Arterial-phase contrast-enhanced abdominal CT, axial slice 73 of 129 (counted from the lowest slice); tube voltage 100 kVp, convolution kernel I41f; slices 3.00 mm thick, 0.779 mm per pixel.
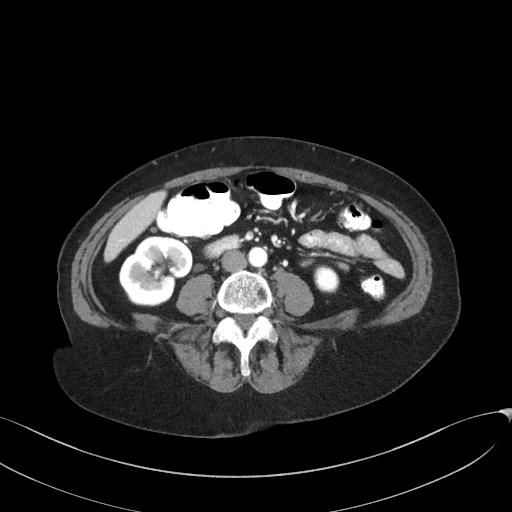
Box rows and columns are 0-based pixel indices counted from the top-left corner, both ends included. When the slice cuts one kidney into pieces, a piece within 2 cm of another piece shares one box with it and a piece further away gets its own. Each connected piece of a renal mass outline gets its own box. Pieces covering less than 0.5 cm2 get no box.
Boxed on this slice (two kidney boxes), listed by box centre from the image's left to its right: (1) Right kidney at rows 235–306, columns 118–192 (outlined area 3,872 px, about 23.5 cm2). (2) Box rows 264–293, columns 313–339: left kidney (outlined area 613 px, about 3.7 cm2). No renal mass outline on this slice.